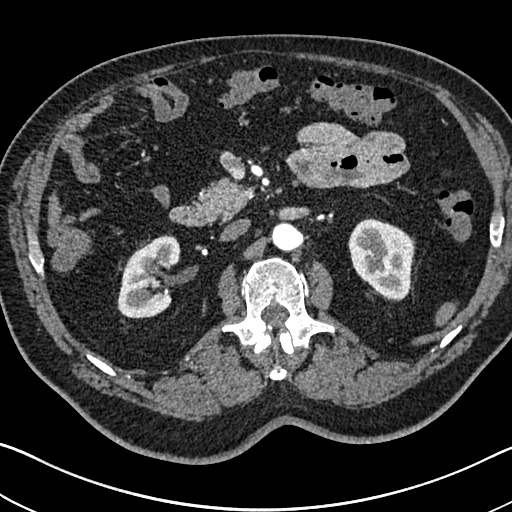
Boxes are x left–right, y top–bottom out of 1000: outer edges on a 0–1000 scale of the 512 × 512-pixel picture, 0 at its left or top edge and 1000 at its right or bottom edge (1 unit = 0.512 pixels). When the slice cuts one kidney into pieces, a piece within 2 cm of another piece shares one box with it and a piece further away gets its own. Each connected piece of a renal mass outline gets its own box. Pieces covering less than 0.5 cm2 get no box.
This is axial slice 434 of 705 (slice 1 is the lowest) of an arterial-phase abdominal CT with contrast; each pixel is 0.703 mm and the slice is 1.00 mm thick. Two boxes on this slice (two kidney boxes), listed by box centre from the image's left to its right. (1) Right kidney at x 229–354, y 459–623 out of 1000 (outlined area 3,799 px, about 18.8 cm2). (2) Box x 680–811, y 428–590 out of 1000: left kidney (outlined area 4,085 px, about 20.2 cm2). No renal mass outline on this slice.
Scan settings: 120 kVp, I30f reconstruction kernel.